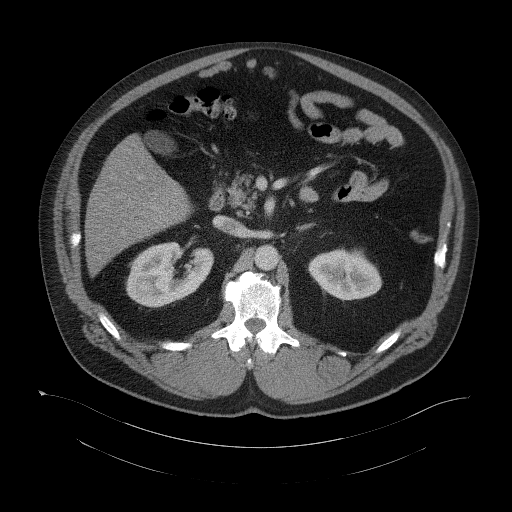
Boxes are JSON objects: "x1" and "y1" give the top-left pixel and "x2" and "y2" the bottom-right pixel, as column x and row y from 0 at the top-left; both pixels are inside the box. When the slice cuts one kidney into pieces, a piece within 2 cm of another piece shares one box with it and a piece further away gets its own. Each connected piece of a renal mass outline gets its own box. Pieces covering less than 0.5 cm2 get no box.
Slice 71/104 of a contrast-enhanced abdominal CT, counting up from the lowest; pixel size 0.977 mm, slice thickness 5.00 mm. Two kidney boxes and one renal mass box on this slice; by box centre, from the image's left to its right: (1) Box {"x1": 137, "y1": 279, "x2": 152, "y2": 294}: right renal mass (outlined area 201 px, about 1.9 cm2). (2) Right kidney, box {"x1": 126, "y1": 241, "x2": 213, "y2": 307} (outlined area 3,854 px, about 36.8 cm2). (3) Box {"x1": 308, "y1": 249, "x2": 382, "y2": 300}: left kidney (outlined area 2,843 px, about 27.1 cm2).
Scan settings: 120 kVp, B41f reconstruction kernel.